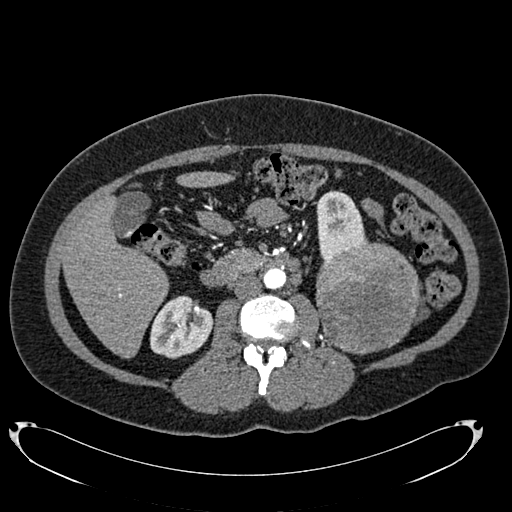
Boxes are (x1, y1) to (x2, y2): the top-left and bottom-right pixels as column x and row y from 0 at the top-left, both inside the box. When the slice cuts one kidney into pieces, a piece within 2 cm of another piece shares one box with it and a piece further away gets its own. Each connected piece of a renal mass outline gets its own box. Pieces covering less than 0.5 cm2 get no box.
Slice 395/634 of a contrast-enhanced abdominal CT in the arterial phase, counting up from the lowest; pixel size 0.838 mm, slice thickness 1.00 mm. Three boxes on this slice (two kidney boxes and one renal mass box), listed by box centre from the image's left to its right. (1) Right kidney from (150, 295) to (213, 358) (outlined area 2,972 px, about 20.9 cm2). (2) Left kidney, box (316, 190) to (368, 259) (outlined area 2,483 px, about 17.4 cm2). (3) Left renal mass, box (315, 242) to (419, 354) (outlined area 9,390 px, about 65.9 cm2).
Acquired at 120 kVp and reconstructed with the B20f kernel.